Axial slice 58 of 85 of a contrast-enhanced abdominal CT in the arterial phase (slice 1 is the lowest), 100 kVp, kernel I41f; 5.00 mm slice thickness and 0.664 mm pixels.
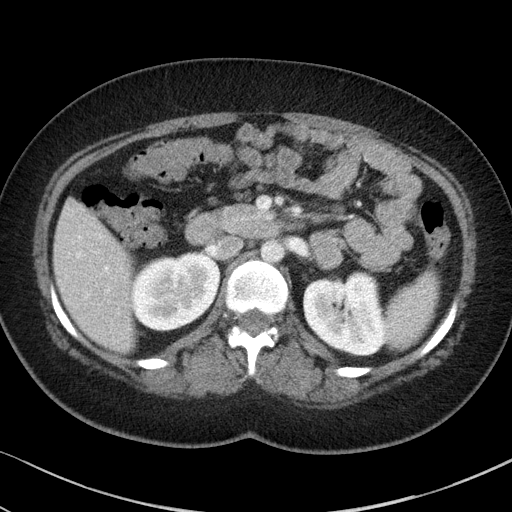
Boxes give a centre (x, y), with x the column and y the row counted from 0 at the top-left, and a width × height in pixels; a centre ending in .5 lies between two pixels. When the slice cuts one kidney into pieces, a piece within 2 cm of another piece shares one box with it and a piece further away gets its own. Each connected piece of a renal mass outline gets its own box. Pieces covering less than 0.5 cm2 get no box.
Two kidney boxes on this slice; by box centre, from the image's left to its right: (1) Right kidney in a box with centre (175.5, 291), 92 × 81 pixels (outlined area 5,660 px, about 25.0 cm2). (2) Left kidney in a box with centre (343, 313.5), 83 × 86 pixels (outlined area 5,575 px, about 24.6 cm2). This slice carries no renal mass outline.